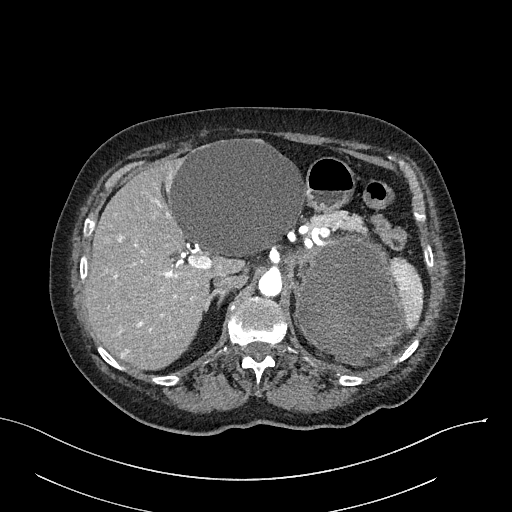
Axial slice 189 of 316 of a contrast-enhanced abdominal CT in the arterial phase (slice 1 is the lowest), 100 kVp, kernel I40f; 2.00 mm slice thickness and 0.840 mm pixels.
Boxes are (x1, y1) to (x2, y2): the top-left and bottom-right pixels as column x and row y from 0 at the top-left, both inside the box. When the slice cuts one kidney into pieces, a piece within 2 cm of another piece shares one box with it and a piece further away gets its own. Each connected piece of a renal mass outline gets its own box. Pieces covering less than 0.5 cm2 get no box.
Box (296, 233) to (407, 363): left renal mass (outlined area 11,115 px, about 78.4 cm2); no kidney is outlined on this slice, but the same outlined renal mass comes within 1 cm of the kidney on another slice.